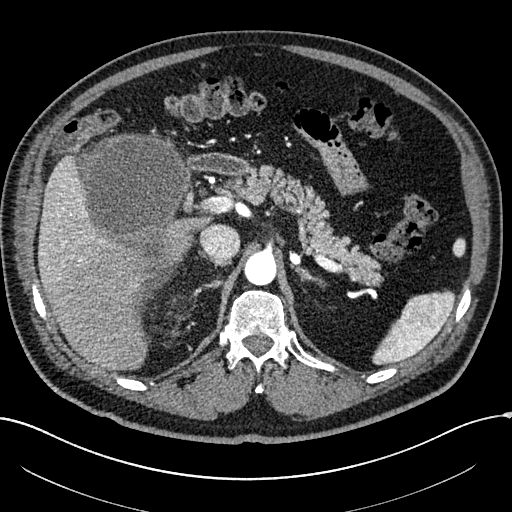
Axial slice 172 of 304 of a contrast-enhanced abdominal CT in the arterial phase (slice 1 is the lowest), 100 kVp, kernel I30f; 2.00 mm slice thickness and 0.809 mm pixels.
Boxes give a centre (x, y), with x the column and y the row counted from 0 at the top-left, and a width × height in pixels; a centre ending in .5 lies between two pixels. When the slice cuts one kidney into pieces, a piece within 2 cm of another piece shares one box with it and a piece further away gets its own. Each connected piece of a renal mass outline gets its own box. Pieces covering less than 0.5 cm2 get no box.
Right renal mass in a box with centre (134, 193), 115 × 121 pixels (outlined area 10,408 px, about 68.0 cm2); this slice has no kidney outline, though on another slice the same outlined renal mass lies within 1 cm of the kidney.